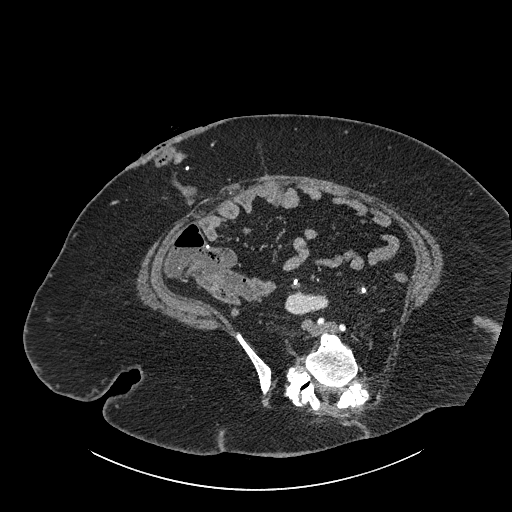
Abdominal CT with intravenous contrast, axial plane, 140 kVp, kernel I30f. Slice 386/834 from the bottom of the scan; thickness 1.00 mm; pixel size 0.977 mm.
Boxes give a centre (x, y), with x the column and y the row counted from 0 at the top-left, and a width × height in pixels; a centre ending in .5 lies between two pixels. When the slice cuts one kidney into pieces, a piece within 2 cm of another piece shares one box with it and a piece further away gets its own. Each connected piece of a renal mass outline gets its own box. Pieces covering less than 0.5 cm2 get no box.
Box centre (306, 303.5), 45 × 24 pixels: right part of the midline-crossing kidney (outlined area 804 px, about 7.7 cm2). No renal mass outline on this slice.